Axial slice 41 of 50 of a contrast-enhanced abdominal CT in the arterial phase (slice 1 is the lowest), 100 kVp, kernel I41f; 3.00 mm slice thickness and 0.758 mm pixels.
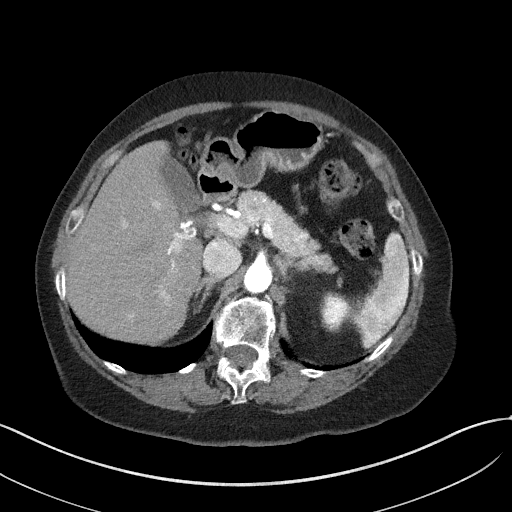
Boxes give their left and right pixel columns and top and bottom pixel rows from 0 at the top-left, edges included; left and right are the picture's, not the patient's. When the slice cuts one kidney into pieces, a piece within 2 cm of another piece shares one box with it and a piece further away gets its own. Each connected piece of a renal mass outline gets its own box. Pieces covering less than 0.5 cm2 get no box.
Box with left 319, top 291, right 347, bottom 332: left kidney (outlined area 907 px, about 5.2 cm2). This slice carries no renal mass outline.